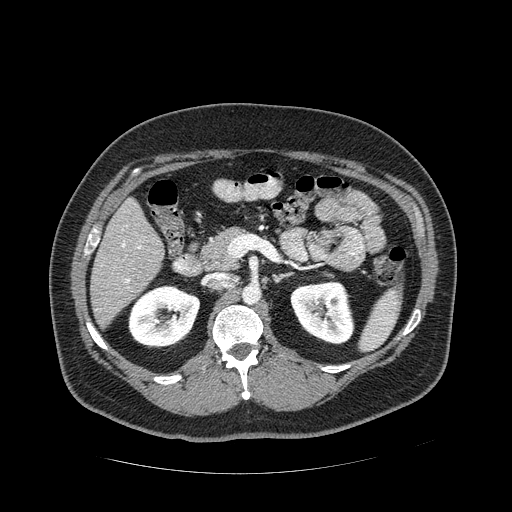
Arterial-phase contrast-enhanced abdominal CT, axial slice 269 of 389 (counted from the lowest slice); tube voltage 120 kVp, convolution kernel STANDARD; slices 1.25 mm thick, 0.869 mm per pixel.
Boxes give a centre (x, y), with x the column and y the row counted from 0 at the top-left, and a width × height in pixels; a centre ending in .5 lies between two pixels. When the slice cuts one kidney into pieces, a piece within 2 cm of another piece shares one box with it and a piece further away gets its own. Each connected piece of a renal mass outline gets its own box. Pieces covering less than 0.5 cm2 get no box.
Two kidney boxes on this slice; by box centre, from the image's left to its right: (1) Right kidney in a box with centre (164, 316.5), 73 × 64 pixels (outlined area 3,492 px, about 26.4 cm2). (2) Left kidney, box centre (322, 312), 65 × 65 pixels (outlined area 3,137 px, about 23.7 cm2). This slice carries no renal mass outline.